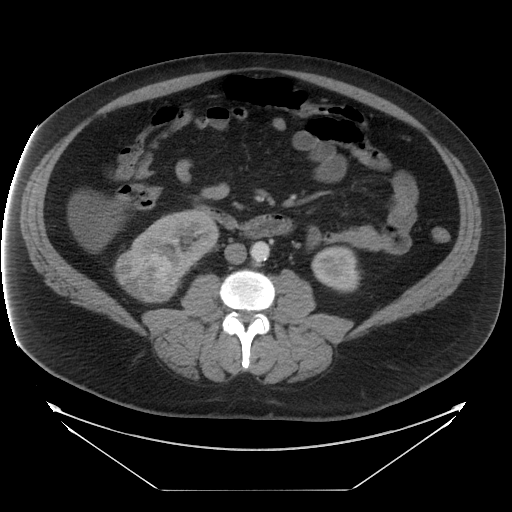
Abdominal CT with intravenous contrast, axial plane, 120 kVp, kernel STANDARD. Slice 8/29 from the bottom of the scan; thickness 5.00 mm; pixel size 0.977 mm.
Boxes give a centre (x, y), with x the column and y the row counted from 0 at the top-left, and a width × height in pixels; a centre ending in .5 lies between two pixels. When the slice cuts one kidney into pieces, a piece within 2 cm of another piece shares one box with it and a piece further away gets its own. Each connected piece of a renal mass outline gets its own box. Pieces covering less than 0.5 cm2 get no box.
Three boxes on this slice (two kidney boxes and one renal mass box), listed by box centre from the image's left to its right. (1) Box centre (147, 275), 67 × 55 pixels: right renal mass (outlined area 2,841 px, about 27.1 cm2). (2) Box centre (174.5, 244), 88 × 71 pixels: right kidney (outlined area 3,287 px, about 31.3 cm2). (3) Left kidney in a box with centre (335.5, 268.5), 50 × 48 pixels (outlined area 1,799 px, about 17.2 cm2).